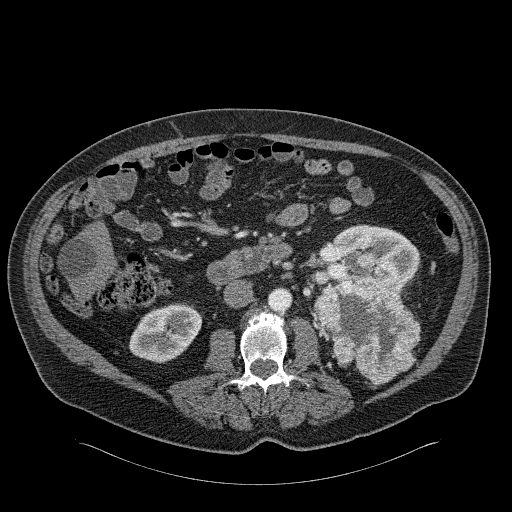
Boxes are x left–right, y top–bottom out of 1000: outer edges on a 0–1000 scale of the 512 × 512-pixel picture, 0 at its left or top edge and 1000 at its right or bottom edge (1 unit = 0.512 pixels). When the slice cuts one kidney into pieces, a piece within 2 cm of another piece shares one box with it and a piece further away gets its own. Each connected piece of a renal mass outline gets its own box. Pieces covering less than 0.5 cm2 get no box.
Arterial-phase contrast-enhanced abdominal CT, axial slice 107 of 326 (counted from the lowest slice); 2.00 mm thick, 0.963 mm per pixel. Boxed on this slice (two kidney boxes and two renal mass boxes), listed by box centre from the image's left to its right: (1) Right kidney, box x 252–395, y 592–709 out of 1000 (outlined area 3,135 px, about 29.1 cm2). (2) Left renal mass, box x 611–824, y 527–752 out of 1000 (outlined area 8,158 px, about 75.6 cm2). (3) Box x 621–820, y 438–572 out of 1000: left kidney (outlined area 4,171 px, about 38.7 cm2). (4) Left renal mass, box x 699–746, y 492–527 out of 1000 (outlined area 307 px, about 2.8 cm2).
Acquired at 120 kVp and reconstructed with the B31f kernel.